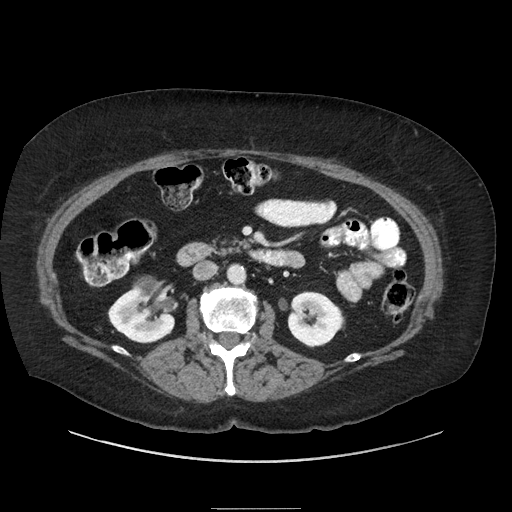
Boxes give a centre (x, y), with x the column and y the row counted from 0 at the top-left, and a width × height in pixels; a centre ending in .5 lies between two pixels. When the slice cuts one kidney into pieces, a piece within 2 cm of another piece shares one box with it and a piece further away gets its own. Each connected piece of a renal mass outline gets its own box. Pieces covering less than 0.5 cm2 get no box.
This is axial slice 120 of 186 (slice 1 is the lowest) of an abdominal CT with contrast; each pixel is 0.850 mm and the slice is 2.50 mm thick. Two kidney boxes and one renal mass box on this slice; by box centre, from the image's left to its right: (1) Box centre (141.5, 314), 66 × 59 pixels: right kidney (outlined area 2,169 px, about 15.7 cm2). (2) Right renal mass in a box with centre (154.5, 295.5), 46 × 42 pixels (outlined area 1,116 px, about 8.1 cm2). (3) Box centre (315.5, 319), 58 × 57 pixels: left kidney (outlined area 2,448 px, about 17.7 cm2).
Scan settings: 120 kVp, STANDARD reconstruction kernel.